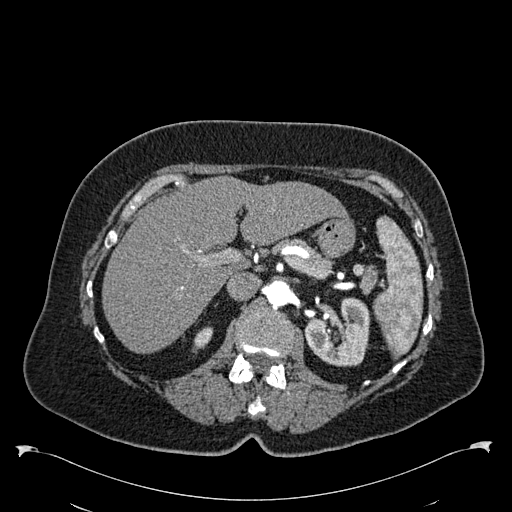
Abdominal CT with intravenous contrast, arterial phase, axial plane, 120 kVp, kernel B30f. Slice 386/538 from the bottom of the scan; thickness 1.00 mm; pixel size 0.811 mm.
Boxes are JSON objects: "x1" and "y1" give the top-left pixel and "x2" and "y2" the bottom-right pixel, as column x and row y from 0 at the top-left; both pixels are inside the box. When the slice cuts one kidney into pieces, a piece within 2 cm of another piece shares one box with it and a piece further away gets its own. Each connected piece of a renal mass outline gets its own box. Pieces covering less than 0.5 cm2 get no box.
Two kidney boxes on this slice; by box centre, from the image's left to its right: (1) Right kidney, box {"x1": 192, "y1": 326, "x2": 213, "y2": 353} (outlined area 340 px, about 2.2 cm2). (2) Box {"x1": 304, "y1": 297, "x2": 370, "y2": 366}: left kidney (outlined area 3,370 px, about 22.1 cm2). No renal mass is outlined on this slice.